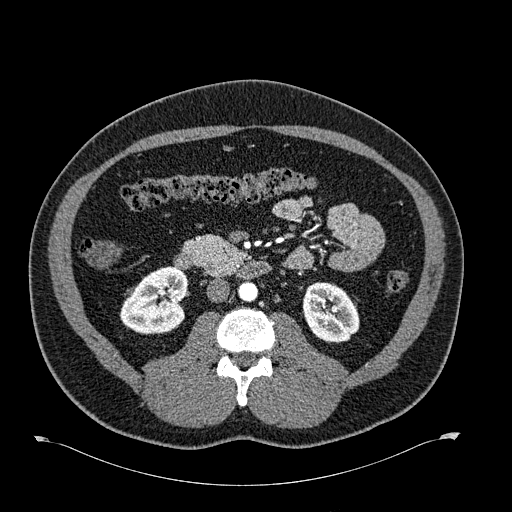
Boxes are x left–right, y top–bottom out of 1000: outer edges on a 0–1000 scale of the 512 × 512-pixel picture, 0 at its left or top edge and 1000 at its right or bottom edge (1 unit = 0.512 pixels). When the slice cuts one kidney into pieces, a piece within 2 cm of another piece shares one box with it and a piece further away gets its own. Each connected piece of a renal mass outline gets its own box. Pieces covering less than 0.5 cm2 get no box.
Slice 329/723 of a contrast-enhanced abdominal CT in the arterial phase, counting up from the lowest; pixel size 0.895 mm, slice thickness 1.00 mm. Two kidney boxes on this slice; by box centre, from the image's left to its right: (1) Right kidney, box x 232–369, y 520–654 out of 1000 (outlined area 3,442 px, about 27.5 cm2). (2) Box x 590–703, y 551–672 out of 1000: left kidney (outlined area 2,711 px, about 21.7 cm2).
Scan settings: 120 kVp, B30f reconstruction kernel.